Arterial-phase contrast-enhanced abdominal CT, axial slice 409 of 683 (counted from the lowest slice); tube voltage 120 kVp, convolution kernel I30f; slices 1.00 mm thick, 0.738 mm per pixel.
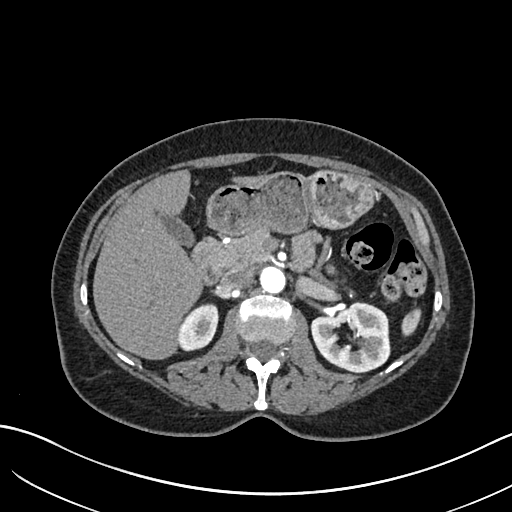
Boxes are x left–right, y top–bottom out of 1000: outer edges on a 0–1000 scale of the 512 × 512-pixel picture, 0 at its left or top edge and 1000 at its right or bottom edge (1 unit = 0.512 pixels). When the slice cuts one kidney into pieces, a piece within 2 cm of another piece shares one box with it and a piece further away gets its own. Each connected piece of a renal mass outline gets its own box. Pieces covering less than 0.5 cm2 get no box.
Boxed on this slice (two kidney boxes), listed by box centre from the image's left to its right: (1) Right kidney at x 346–428, y 592–688 out of 1000 (outlined area 1,506 px, about 8.2 cm2). (2) Left kidney, box x 605–764, y 588–729 out of 1000 (outlined area 4,182 px, about 22.8 cm2). No renal mass outline on this slice.